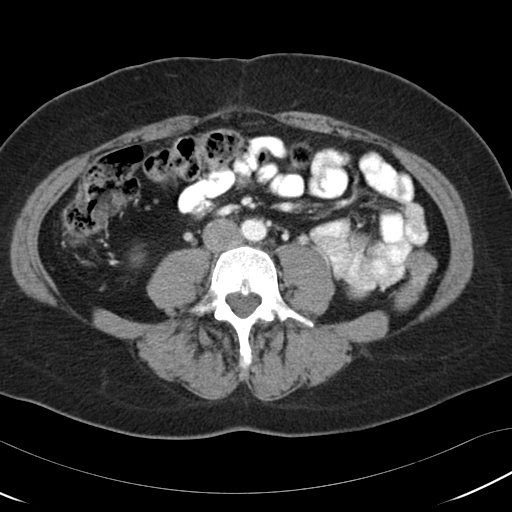
Contrast-enhanced abdominal CT, axial slice 51 of 97 (counted from the lowest slice); tube voltage 120 kVp, convolution kernel B30f; slices 5.00 mm thick, 0.664 mm per pixel.
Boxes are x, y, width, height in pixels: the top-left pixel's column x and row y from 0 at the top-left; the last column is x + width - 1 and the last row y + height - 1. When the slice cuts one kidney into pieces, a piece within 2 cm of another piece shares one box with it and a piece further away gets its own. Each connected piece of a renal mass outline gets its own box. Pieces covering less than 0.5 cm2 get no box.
Box x 130, y 252, width 15, height 15: right kidney (outlined area 144 px, about 0.6 cm2). No renal mass is outlined on this slice.